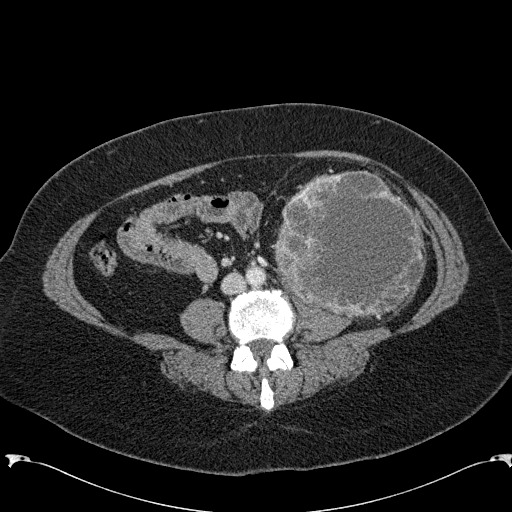
One axial slice (60 of 285, counting up from the lowest) of an arterial-phase abdominal CT acquired with 120 kVp, kernel B31f; each pixel is 0.762 mm and the slice is 2.00 mm thick.
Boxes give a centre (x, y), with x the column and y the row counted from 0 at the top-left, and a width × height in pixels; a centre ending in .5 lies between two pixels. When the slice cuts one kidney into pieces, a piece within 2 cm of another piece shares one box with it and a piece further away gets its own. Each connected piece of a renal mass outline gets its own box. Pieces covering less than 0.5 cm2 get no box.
Box centre (348.5, 244.5), 154 × 150 pixels: left renal mass (outlined area 17,614 px, about 102.2 cm2); no kidney is outlined on this slice, but the same outlined renal mass comes within 1 cm of the kidney on another slice.